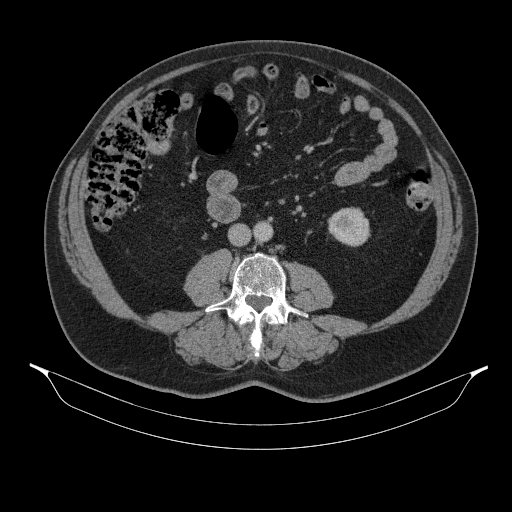
One axial slice (165 of 314, counting up from the lowest) of a contrast-enhanced abdominal CT acquired with 130 kVp, kernel B31s; each pixel is 0.934 mm and the slice is 2.50 mm thick.
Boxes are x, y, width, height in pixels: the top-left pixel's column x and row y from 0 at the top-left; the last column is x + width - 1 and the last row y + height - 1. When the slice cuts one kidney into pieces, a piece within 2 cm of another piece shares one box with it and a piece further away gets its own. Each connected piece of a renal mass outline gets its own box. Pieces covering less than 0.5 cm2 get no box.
Box x 328, y 207, width 43, height 40: left kidney (outlined area 1,302 px, about 11.3 cm2). This slice carries no renal mass outline.